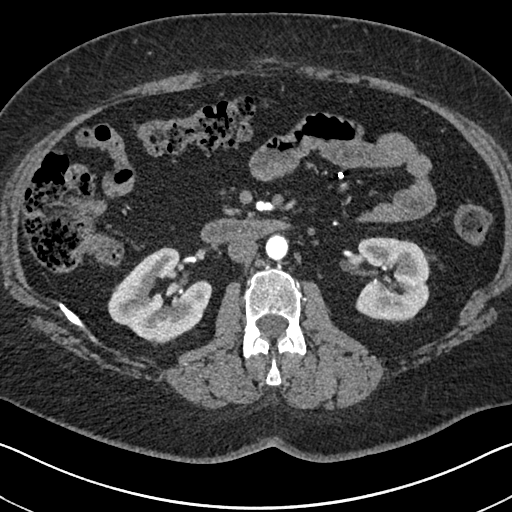
One axial slice (382 of 591, counting up from the lowest) of an arterial-phase abdominal CT acquired with 140 kVp, kernel I30f; each pixel is 0.703 mm and the slice is 1.00 mm thick.
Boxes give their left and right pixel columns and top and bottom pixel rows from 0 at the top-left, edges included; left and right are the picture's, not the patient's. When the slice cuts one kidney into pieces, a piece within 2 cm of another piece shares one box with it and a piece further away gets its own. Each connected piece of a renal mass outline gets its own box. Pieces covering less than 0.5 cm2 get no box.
Two boxes on this slice (two kidney boxes), listed by box centre from the image's left to its right. (1) Right kidney, the box with left 107, top 247, right 212, bottom 341 (outlined area 6,288 px, about 31.1 cm2). (2) Box with left 354, top 237, right 430, bottom 321: left kidney (outlined area 5,213 px, about 25.8 cm2). No renal mass is outlined on this slice.